Arterial-phase contrast-enhanced abdominal CT, axial slice 395 of 735 (counted from the lowest slice); tube voltage 120 kVp, convolution kernel I30f; slices 1.00 mm thick, 0.789 mm per pixel.
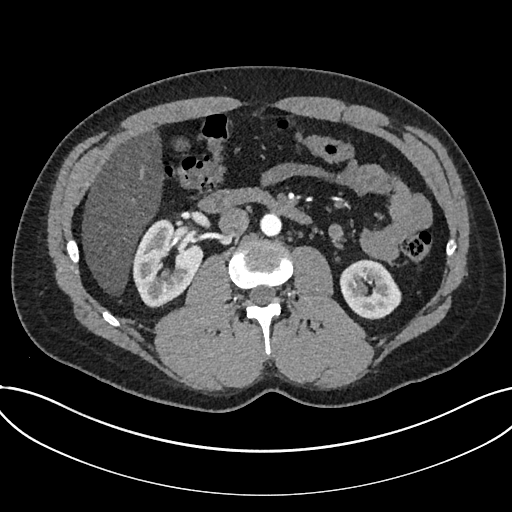
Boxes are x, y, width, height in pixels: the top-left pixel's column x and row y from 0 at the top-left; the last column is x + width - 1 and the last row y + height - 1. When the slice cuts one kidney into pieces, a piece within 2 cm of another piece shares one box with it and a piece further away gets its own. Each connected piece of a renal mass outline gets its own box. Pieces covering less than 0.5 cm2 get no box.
Two boxes on this slice (two kidney boxes), listed by box centre from the image's left to its right. (1) Box x 132, y 219, width 71, height 89: kidney (outlined area 4,252 px, about 26.5 cm2). (2) Kidney at x 339, y 259, width 63, height 61 (outlined area 2,773 px, about 17.3 cm2). No renal mass outline on this slice.